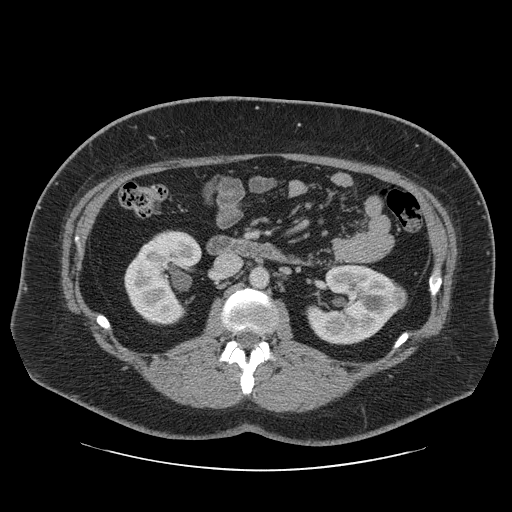
One axial slice (31 of 69, counting up from the lowest) of an arterial-phase abdominal CT acquired with 120 kVp, kernel STANDARD; each pixel is 0.846 mm and the slice is 2.50 mm thick.
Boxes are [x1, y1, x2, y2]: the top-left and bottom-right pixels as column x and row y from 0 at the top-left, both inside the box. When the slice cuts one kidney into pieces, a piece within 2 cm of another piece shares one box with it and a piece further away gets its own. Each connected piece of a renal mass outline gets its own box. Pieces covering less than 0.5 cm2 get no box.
Two kidney boxes and one renal mass box on this slice; by box centre, from the image's left to its right: (1) Box [124, 230, 201, 325]: right kidney (outlined area 5,260 px, about 37.6 cm2). (2) Box [305, 263, 401, 344]: left kidney (outlined area 5,391 px, about 38.6 cm2). (3) Left renal mass, box [389, 285, 407, 308] (outlined area 318 px, about 2.3 cm2).